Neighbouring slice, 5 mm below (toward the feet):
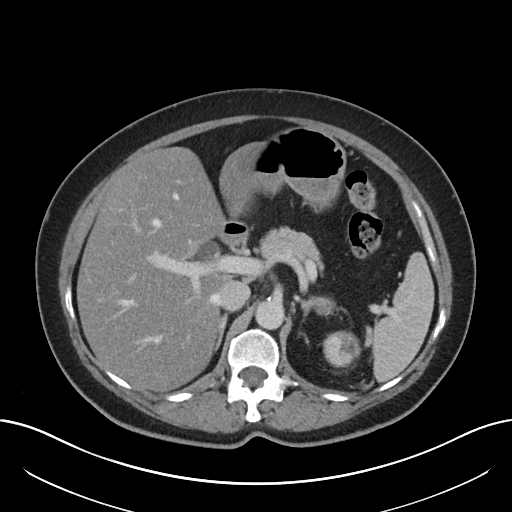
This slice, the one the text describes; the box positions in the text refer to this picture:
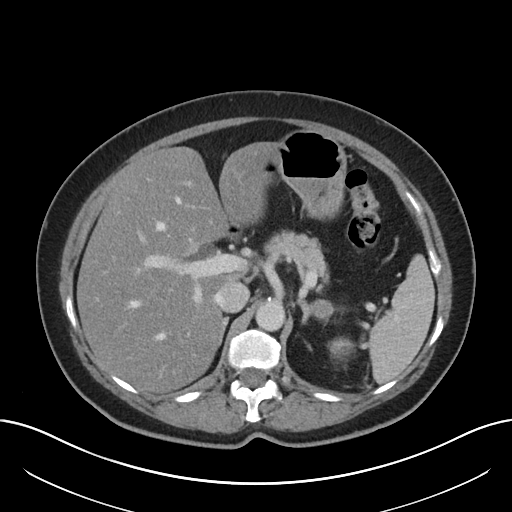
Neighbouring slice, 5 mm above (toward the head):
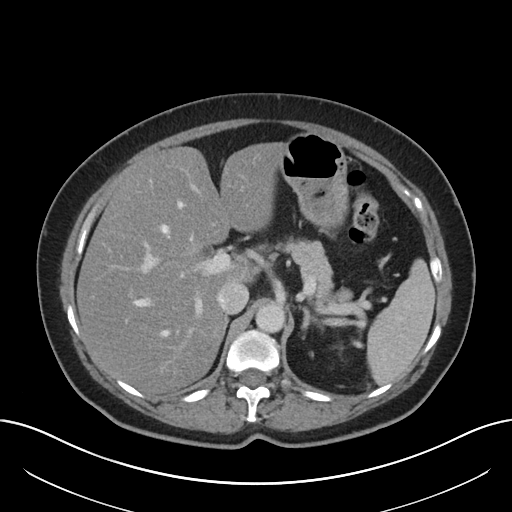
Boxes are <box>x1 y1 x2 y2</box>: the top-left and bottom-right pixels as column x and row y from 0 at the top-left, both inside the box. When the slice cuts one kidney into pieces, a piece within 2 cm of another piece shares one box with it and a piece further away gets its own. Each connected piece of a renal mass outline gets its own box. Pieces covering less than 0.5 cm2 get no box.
Slice 141/197 of a contrast-enhanced abdominal CT, counting up from the lowest; pixel size 0.791 mm, slice thickness 5.00 mm. Left renal mass: <box>327 337 355 357</box> (outlined area 465 px, about 2.9 cm2); no kidney is outlined on this slice, but the same outlined renal mass comes within 1 cm of the kidney on another slice. This slice is near the end of the left renal mass toward the head, so the slices 5 mm below and 5 mm above it are shown as well; the boxes refer to this slice only.
Acquired at 120 kVp and reconstructed with the I30f kernel.